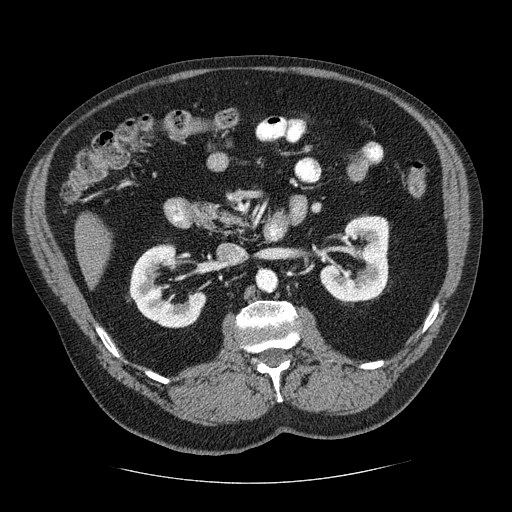
Contrast-enhanced abdominal CT, axial slice 133 of 206 (counted from the lowest slice); tube voltage 120 kVp, convolution kernel STANDARD; slices 2.50 mm thick, 0.879 mm per pixel.
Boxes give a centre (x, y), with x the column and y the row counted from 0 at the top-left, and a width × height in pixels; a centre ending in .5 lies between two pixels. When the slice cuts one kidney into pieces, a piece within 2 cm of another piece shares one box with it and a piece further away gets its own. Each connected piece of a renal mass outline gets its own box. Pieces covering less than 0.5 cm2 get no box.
Boxed on this slice (two kidney boxes), listed by box centre from the image's left to its right: (1) Right kidney in a box with centre (168, 285.5), 79 × 86 pixels (outlined area 3,881 px, about 30.0 cm2). (2) Left kidney, box centre (354, 259.5), 71 × 92 pixels (outlined area 4,347 px, about 33.6 cm2).